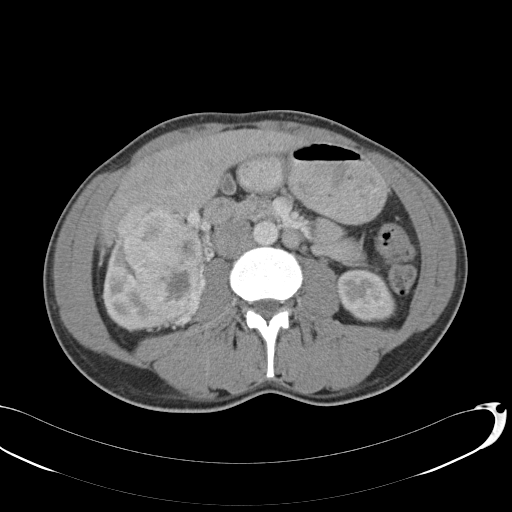
One axial slice (59 of 146, counting up from the lowest) of a contrast-enhanced abdominal CT acquired with 120 kVp, kernel B31f; each pixel is 0.742 mm and the slice is 5.00 mm thick.
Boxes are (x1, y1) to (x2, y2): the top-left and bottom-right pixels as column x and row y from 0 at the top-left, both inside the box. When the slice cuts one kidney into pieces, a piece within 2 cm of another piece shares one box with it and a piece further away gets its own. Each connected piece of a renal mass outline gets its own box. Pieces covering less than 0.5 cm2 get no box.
Two kidney boxes and one renal mass box on this slice; by box centre, from the image's left to its right: (1) Right kidney from (103, 232) to (171, 332) (outlined area 2,777 px, about 15.3 cm2). (2) Right renal mass, box (116, 201) to (204, 325) (outlined area 7,835 px, about 43.2 cm2). (3) Left kidney from (337, 270) to (396, 322) (outlined area 2,451 px, about 13.5 cm2).